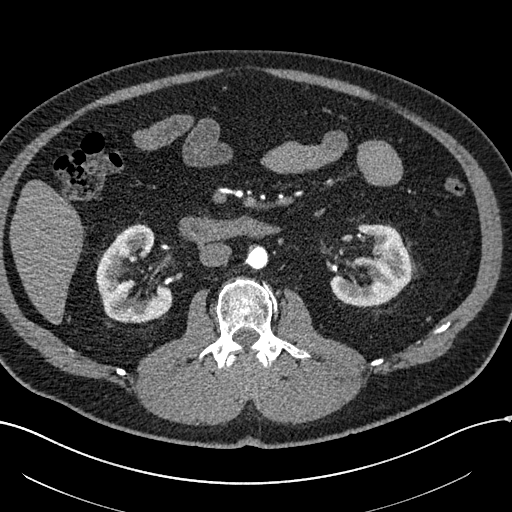
Abdominal CT with intravenous contrast, arterial phase, axial plane, 120 kVp, kernel I30f. Slice 309/602 from the bottom of the scan; thickness 1.00 mm; pixel size 0.799 mm.
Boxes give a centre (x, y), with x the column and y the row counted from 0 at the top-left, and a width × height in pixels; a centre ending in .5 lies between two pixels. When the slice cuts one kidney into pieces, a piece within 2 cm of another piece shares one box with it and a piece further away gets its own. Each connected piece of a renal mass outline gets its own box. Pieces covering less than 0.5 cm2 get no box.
Two kidney boxes on this slice; by box centre, from the image's left to its right: (1) Box centre (134, 273), 77 × 99 pixels: right kidney (outlined area 4,736 px, about 30.2 cm2). (2) Left kidney, box centre (370, 265), 83 × 83 pixels (outlined area 4,268 px, about 27.2 cm2). No renal mass is outlined on this slice.